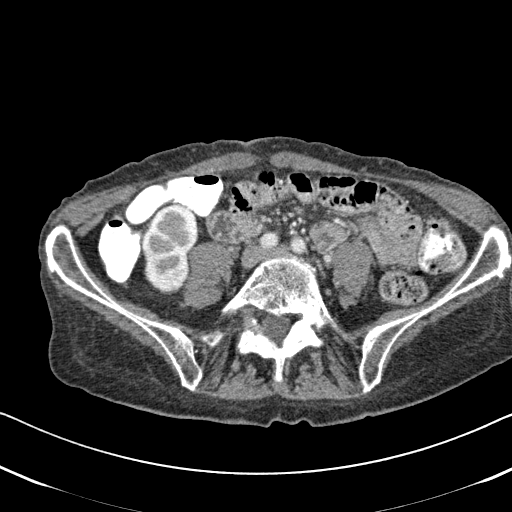
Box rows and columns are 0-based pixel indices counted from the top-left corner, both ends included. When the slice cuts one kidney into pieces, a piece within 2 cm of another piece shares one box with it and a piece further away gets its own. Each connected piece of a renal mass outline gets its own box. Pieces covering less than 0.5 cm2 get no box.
Slice 223/620 of a contrast-enhanced abdominal CT in the arterial phase, counting up from the lowest; pixel size 0.637 mm, slice thickness 2.00 mm. Right kidney, box rows 204–294, columns 142–199 (outlined area 4,040 px, about 16.4 cm2). This slice carries no renal mass outline.
Tube voltage 120 kVp; convolution kernel B31f.